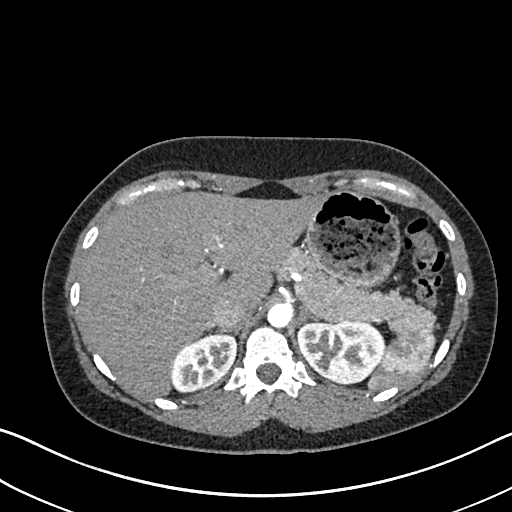
Abdominal CT with intravenous contrast, arterial phase, axial plane, 120 kVp, kernel I30f. Slice 519/612 from the bottom of the scan; thickness 1.00 mm; pixel size 0.703 mm.
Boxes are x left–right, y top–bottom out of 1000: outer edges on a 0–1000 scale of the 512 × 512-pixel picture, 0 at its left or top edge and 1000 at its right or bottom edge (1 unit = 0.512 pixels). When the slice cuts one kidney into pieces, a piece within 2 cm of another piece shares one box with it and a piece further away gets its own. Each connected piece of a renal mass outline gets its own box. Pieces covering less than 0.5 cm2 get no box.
Two boxes on this slice (two kidney boxes), listed by box centre from the image's left to its right. (1) Right kidney, box x 334–463, y 648–768 out of 1000 (outlined area 2,894 px, about 14.3 cm2). (2) Left kidney, box x 580–752, y 625–750 out of 1000 (outlined area 4,428 px, about 21.9 cm2). No renal mass is outlined on this slice.